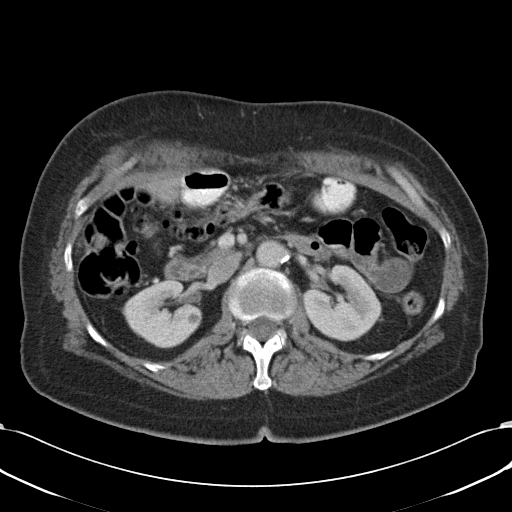
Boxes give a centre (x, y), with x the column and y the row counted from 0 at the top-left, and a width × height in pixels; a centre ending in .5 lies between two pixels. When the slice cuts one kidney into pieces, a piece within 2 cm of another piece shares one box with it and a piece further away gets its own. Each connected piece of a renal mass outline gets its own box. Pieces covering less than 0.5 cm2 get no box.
Slice 62/90 of a contrast-enhanced abdominal CT, counting up from the lowest; pixel size 0.707 mm, slice thickness 5.00 mm. Two boxes on this slice (two kidney boxes), listed by box centre from the image's left to its right. (1) Right kidney, box centre (162.5, 314), 78 × 69 pixels (outlined area 3,797 px, about 19.0 cm2). (2) Left kidney in a box with centre (342, 302), 77 × 77 pixels (outlined area 4,027 px, about 20.1 cm2). This slice carries no renal mass outline.
Acquired at 120 kVp and reconstructed with the B31f kernel.